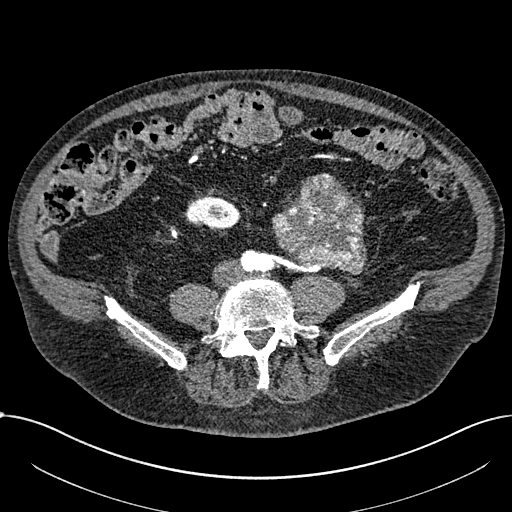
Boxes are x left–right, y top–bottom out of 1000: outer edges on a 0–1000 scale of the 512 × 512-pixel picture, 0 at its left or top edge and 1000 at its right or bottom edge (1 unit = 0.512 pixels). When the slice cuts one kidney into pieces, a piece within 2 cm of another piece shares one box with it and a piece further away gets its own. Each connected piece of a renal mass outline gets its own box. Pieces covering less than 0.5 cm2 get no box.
Arterial-phase contrast-enhanced abdominal CT, axial slice 212 of 1059 (counted from the lowest slice); 1.00 mm thick, 0.811 mm per pixel. One kidney box and one renal mass box on this slice; by box centre, from the image's left to its right: (1) Right part of the midline-crossing kidney at x 359–471, y 381–447 out of 1000 (outlined area 1,404 px, about 9.2 cm2). (2) Renal mass at x 531–717, y 338–537 out of 1000 (outlined area 6,767 px, about 44.5 cm2); here it is more than 1 cm from any kidney outline, though on another slice the same outlined renal mass lies within 1 cm of the kidney.
Tube voltage 100 kVp; convolution kernel I30f.